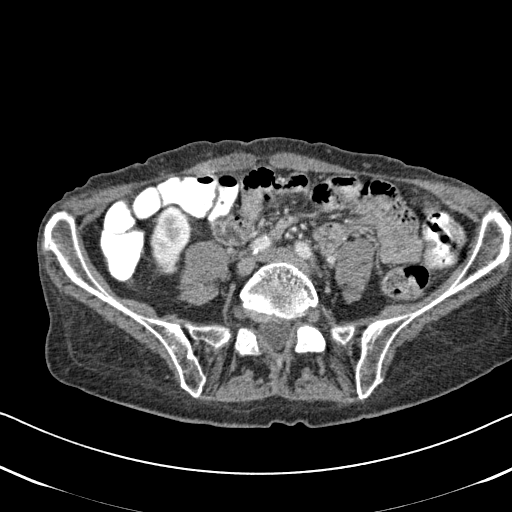
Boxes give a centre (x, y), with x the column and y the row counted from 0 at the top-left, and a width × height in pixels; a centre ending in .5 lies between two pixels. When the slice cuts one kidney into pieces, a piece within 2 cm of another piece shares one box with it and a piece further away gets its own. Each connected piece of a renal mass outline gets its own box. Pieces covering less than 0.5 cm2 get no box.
Arterial-phase contrast-enhanced abdominal CT, axial slice 217 of 620 (counted from the lowest slice); 2.00 mm thick, 0.637 mm per pixel. Box centre (171, 239.5), 43 × 72 pixels: right kidney (outlined area 2,249 px, about 9.1 cm2). This slice carries no renal mass outline.
Tube voltage 120 kVp; convolution kernel B31f.